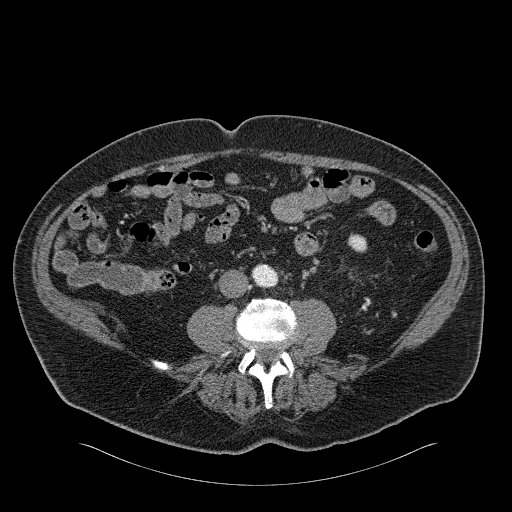
Abdominal CT with intravenous contrast, arterial phase, axial plane, 120 kVp, kernel B31f. Slice 55/326 from the bottom of the scan; thickness 2.00 mm; pixel size 0.963 mm.
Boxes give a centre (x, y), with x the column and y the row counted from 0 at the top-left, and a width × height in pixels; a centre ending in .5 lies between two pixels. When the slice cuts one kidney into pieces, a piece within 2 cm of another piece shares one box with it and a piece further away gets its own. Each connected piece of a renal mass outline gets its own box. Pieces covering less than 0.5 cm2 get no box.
Left kidney, box centre (356.5, 242.5), 20 × 18 pixels (outlined area 275 px, about 2.5 cm2). No renal mass is outlined on this slice.